Axial slice 86 of 270 of a contrast-enhanced abdominal CT in the arterial phase (slice 1 is the lowest), 100 kVp, kernel I40f; 2.00 mm slice thickness and 0.855 mm pixels.
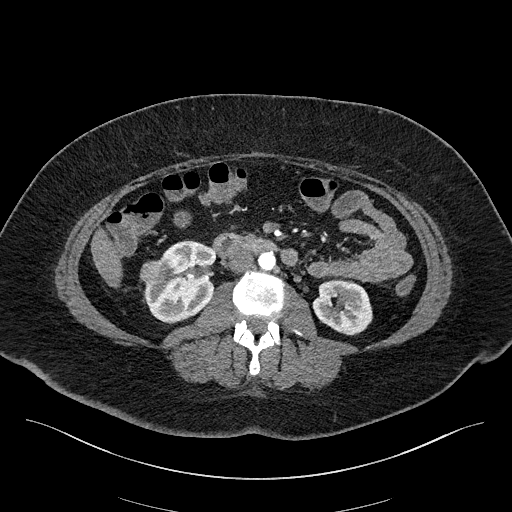
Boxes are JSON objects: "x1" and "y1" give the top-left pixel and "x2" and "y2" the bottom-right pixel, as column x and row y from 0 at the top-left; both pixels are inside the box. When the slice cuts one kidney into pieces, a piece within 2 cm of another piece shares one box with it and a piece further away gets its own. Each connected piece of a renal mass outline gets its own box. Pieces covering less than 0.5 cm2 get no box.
Three boxes on this slice (two kidney boxes and one renal mass box), listed by box centre from the image's left to its right. (1) Box {"x1": 140, "y1": 260, "x2": 164, "y2": 284}: right renal mass (outlined area 519 px, about 3.8 cm2). (2) Right kidney at {"x1": 144, "y1": 240, "x2": 216, "y2": 323} (outlined area 4,186 px, about 30.6 cm2). (3) Left kidney at {"x1": 312, "y1": 278, "x2": 372, "y2": 335} (outlined area 2,557 px, about 18.7 cm2).